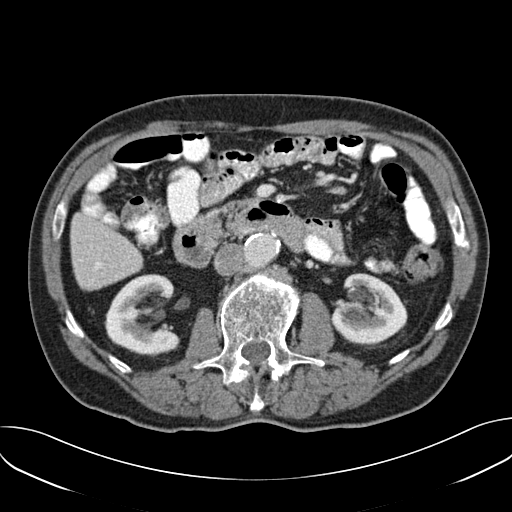
One axial slice (99 of 157, counting up from the lowest) of an arterial-phase abdominal CT acquired with 120 kVp, kernel B30f; each pixel is 0.742 mm and the slice is 3.00 mm thick.
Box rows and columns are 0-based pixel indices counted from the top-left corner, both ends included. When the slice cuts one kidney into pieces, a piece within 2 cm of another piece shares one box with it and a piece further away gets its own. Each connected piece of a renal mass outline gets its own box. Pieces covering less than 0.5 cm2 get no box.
Boxed on this slice (two kidney boxes), listed by box centre from the image's left to its right: (1) Right kidney, box rows 274–356, columns 104–180 (outlined area 4,288 px, about 23.6 cm2). (2) Left kidney at rows 273–344, columns 330–407 (outlined area 4,022 px, about 22.2 cm2). This slice carries no renal mass outline.